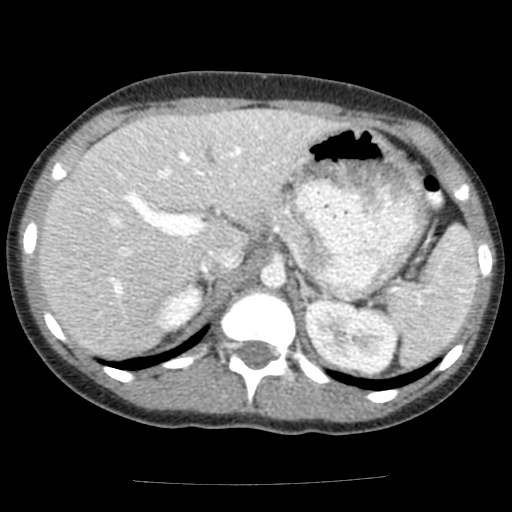
Arterial-phase contrast-enhanced abdominal CT, axial slice 95 of 117 (counted from the lowest slice); tube voltage 120 kVp, convolution kernel FC12; slices 3.00 mm thick, 0.518 mm per pixel.
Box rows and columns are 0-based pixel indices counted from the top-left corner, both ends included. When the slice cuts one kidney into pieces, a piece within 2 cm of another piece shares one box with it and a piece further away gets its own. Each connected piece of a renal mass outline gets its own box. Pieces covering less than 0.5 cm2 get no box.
Two boxes on this slice (two kidney boxes), listed by box centre from the image's left to its right. (1) Right kidney at rows 284–331, columns 154–202 (outlined area 1,533 px, about 4.1 cm2). (2) Left kidney, box rows 300–372, columns 305–397 (outlined area 5,143 px, about 13.8 cm2). This slice carries no renal mass outline.